Abdominal CT with intravenous contrast, arterial phase, axial plane, 130 kVp, kernel B30s. Slice 117/164 from the bottom of the scan; thickness 3.00 mm; pixel size 0.664 mm.
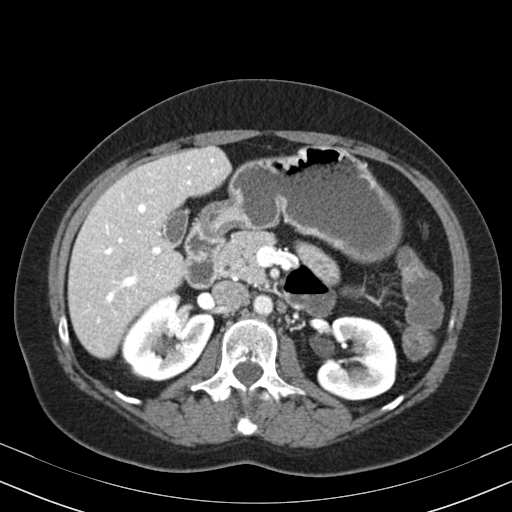
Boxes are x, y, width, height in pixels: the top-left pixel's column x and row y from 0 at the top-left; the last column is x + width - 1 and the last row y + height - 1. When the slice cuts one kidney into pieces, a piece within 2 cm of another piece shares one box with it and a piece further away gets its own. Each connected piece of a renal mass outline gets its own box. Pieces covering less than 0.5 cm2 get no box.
Two kidney boxes on this slice; by box centre, from the image's left to its right: (1) Box x 121, y 297, width 94, height 85: right kidney (outlined area 5,520 px, about 24.3 cm2). (2) Left kidney, box x 317, y 316, width 81, height 85 (outlined area 5,307 px, about 23.4 cm2). No renal mass outline on this slice.